Axial slice 23 of 50 of a contrast-enhanced abdominal CT (slice 1 is the lowest), 100 kVp, kernel I40f; 5.00 mm slice thickness and 0.723 mm pixels.
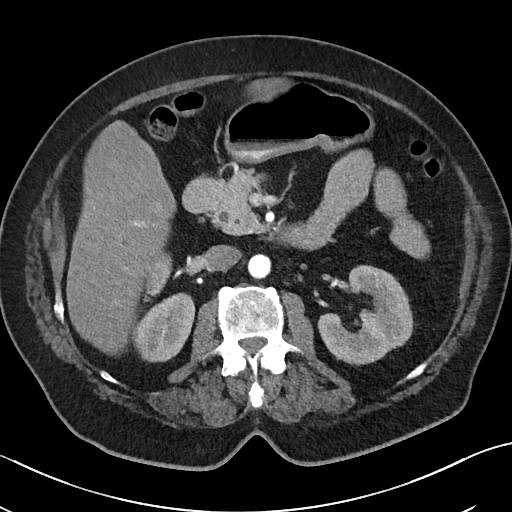
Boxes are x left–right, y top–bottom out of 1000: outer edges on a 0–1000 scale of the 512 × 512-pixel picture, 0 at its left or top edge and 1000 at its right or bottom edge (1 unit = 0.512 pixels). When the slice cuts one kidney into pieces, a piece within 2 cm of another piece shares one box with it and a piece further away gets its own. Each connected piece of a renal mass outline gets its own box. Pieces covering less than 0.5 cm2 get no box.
Two kidney boxes on this slice; by box centre, from the image's left to its right: (1) Box x 262–383, y 490–709 out of 1000: right kidney (outlined area 3,944 px, about 20.6 cm2). (2) Left kidney, box x 619–807, y 518–715 out of 1000 (outlined area 5,759 px, about 30.1 cm2). No renal mass is outlined on this slice.